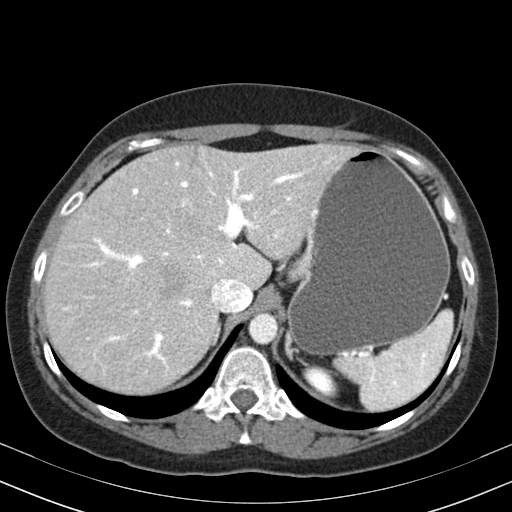
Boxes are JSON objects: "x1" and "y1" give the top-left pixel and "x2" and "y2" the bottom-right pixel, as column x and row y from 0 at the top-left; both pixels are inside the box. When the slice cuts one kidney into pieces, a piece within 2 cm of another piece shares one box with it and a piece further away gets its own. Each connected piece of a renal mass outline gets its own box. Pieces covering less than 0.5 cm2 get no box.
This is axial slice 140 of 164 (slice 1 is the lowest) of an arterial-phase abdominal CT with contrast; each pixel is 0.664 mm and the slice is 3.00 mm thick. Box {"x1": 302, "y1": 365, "x2": 338, "y2": 398}: left kidney (outlined area 783 px, about 3.5 cm2). No renal mass is outlined on this slice.
Scan settings: 130 kVp, B30s reconstruction kernel.